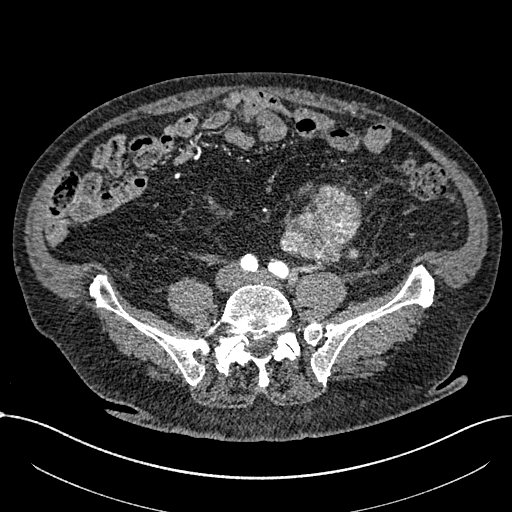
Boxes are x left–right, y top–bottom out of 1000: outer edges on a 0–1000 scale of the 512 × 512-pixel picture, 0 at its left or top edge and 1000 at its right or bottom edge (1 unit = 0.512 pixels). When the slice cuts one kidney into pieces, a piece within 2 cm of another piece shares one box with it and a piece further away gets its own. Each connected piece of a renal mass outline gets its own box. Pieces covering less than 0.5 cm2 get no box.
Slice 184/1059 of a contrast-enhanced abdominal CT in the arterial phase, counting up from the lowest; pixel size 0.811 mm, slice thickness 1.00 mm. Renal mass at x 547–707, y 363–518 out of 1000 (outlined area 4,436 px, about 29.1 cm2); this slice has no kidney outline, though on another slice the same outlined renal mass lies within 1 cm of the kidney.
Acquired at 100 kVp and reconstructed with the I30f kernel.